Arterial-phase contrast-enhanced abdominal CT, axial slice 348 of 634 (counted from the lowest slice); tube voltage 120 kVp, convolution kernel B20f; slices 1.00 mm thick, 0.838 mm per pixel.
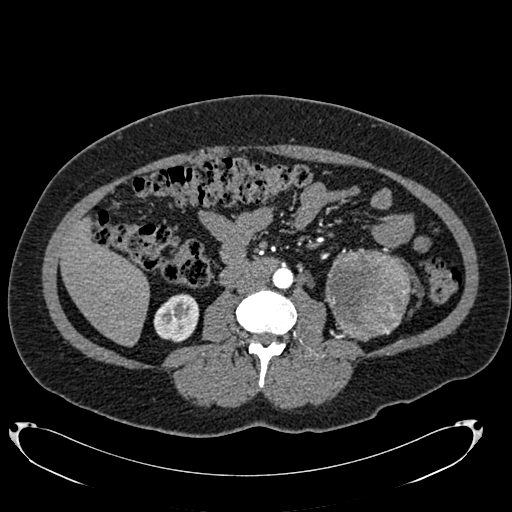
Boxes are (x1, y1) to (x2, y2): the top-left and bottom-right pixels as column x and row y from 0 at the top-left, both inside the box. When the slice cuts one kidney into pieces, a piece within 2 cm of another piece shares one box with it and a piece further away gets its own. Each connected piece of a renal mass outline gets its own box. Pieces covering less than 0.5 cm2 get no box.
Boxed on this slice (one kidney box and one renal mass box), listed by box centre from the image's left to its right: (1) Right kidney from (153, 293) to (199, 342) (outlined area 1,711 px, about 12.0 cm2). (2) Box (325, 248) to (415, 341): left renal mass (outlined area 6,298 px, about 44.2 cm2); on this slice it lies more than 1 cm from any kidney outline, but the same outlined renal mass comes within 1 cm of the kidney on another slice.